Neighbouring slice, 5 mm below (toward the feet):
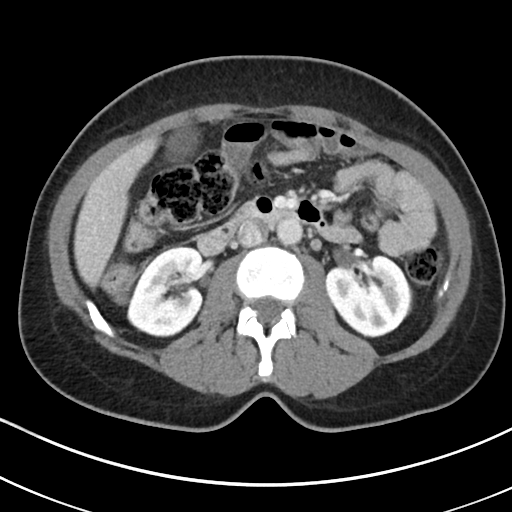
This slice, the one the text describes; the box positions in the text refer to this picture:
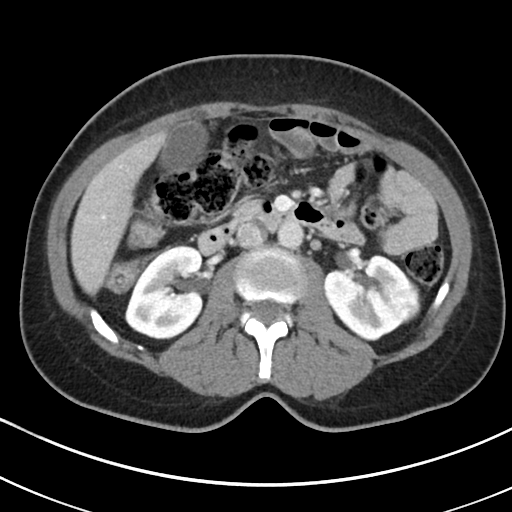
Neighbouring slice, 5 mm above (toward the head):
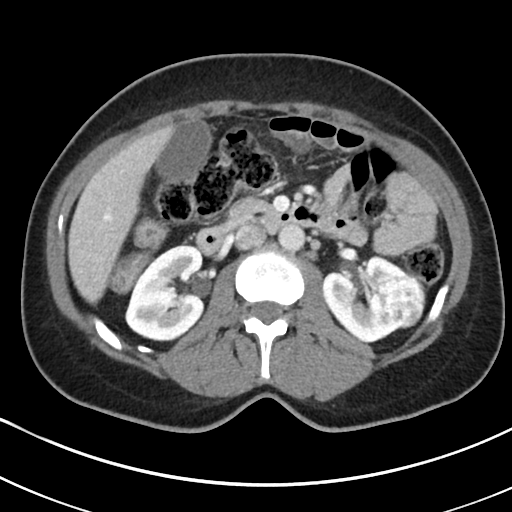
Contrast-enhanced abdominal CT, axial slice 112 of 178 (counted from the lowest slice); tube voltage 100 kVp, convolution kernel I30f; slices 5.00 mm thick, 0.650 mm per pixel.
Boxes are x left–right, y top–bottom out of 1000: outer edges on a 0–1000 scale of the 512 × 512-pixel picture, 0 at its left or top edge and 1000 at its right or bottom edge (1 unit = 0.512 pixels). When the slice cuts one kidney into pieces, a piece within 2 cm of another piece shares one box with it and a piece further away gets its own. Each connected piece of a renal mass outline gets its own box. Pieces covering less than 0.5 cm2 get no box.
Three boxes on this slice (two kidney boxes and one renal mass box), listed by box centre from the image's left to its right. (1) Right kidney, box x 242–398, y 479–664 out of 1000 (outlined area 5,642 px, about 23.9 cm2). (2) Box x 631–816, y 496–668 out of 1000: left kidney (outlined area 4,925 px, about 20.8 cm2). (3) Left renal mass, box x 750–824, y 551–629 out of 1000 (outlined area 1,040 px, about 4.4 cm2). This slice is near the end of the left renal mass toward the feet, so the slices 5 mm below and 5 mm above it are shown as well; the boxes refer to this slice only.